Abdominal CT with intravenous contrast, arterial phase, axial plane, 120 kVp, kernel B31f. Slice 137/326 from the bottom of the scan; thickness 2.00 mm; pixel size 0.963 mm.
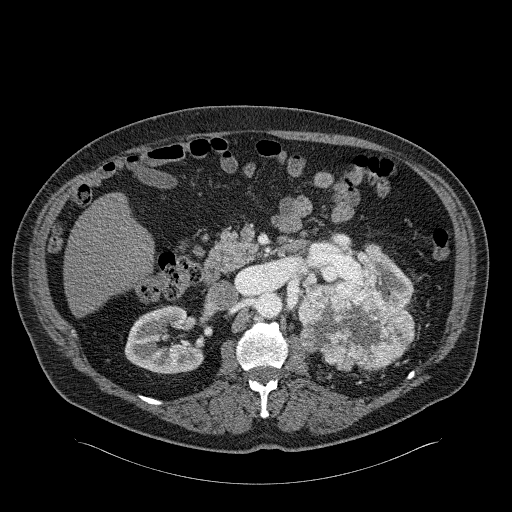
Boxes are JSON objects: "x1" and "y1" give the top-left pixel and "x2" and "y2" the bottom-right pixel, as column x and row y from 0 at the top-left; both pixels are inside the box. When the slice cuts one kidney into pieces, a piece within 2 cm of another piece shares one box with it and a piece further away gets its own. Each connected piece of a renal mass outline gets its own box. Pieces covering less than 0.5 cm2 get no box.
Boxed on this slice (two kidney boxes and one renal mass box), listed by box centre from the image's left to its right: (1) Box {"x1": 124, "y1": 305, "x2": 203, "y2": 373}: right kidney (outlined area 3,852 px, about 35.7 cm2). (2) Left renal mass at {"x1": 297, "y1": 270, "x2": 415, "y2": 372} (outlined area 8,365 px, about 77.6 cm2). (3) Box {"x1": 322, "y1": 245, "x2": 413, "y2": 307}: left kidney (outlined area 2,422 px, about 22.5 cm2).